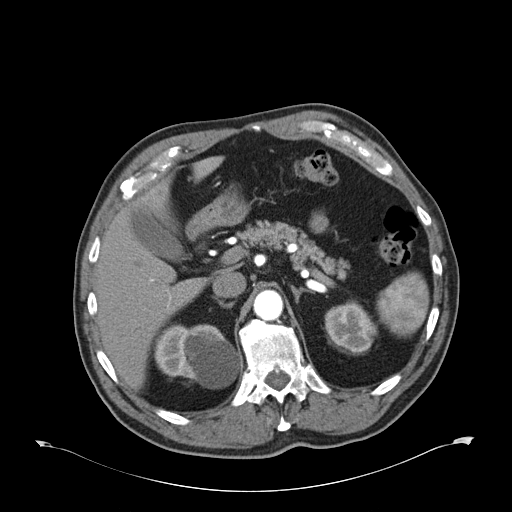
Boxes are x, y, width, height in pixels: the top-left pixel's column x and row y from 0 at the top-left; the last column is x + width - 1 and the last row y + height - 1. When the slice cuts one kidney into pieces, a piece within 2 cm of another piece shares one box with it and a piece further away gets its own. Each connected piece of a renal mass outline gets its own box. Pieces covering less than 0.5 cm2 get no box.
Slice 41/59 of a contrast-enhanced abdominal CT in the arterial phase, counting up from the lowest; pixel size 0.871 mm, slice thickness 5.00 mm. Boxed on this slice (two kidney boxes), listed by box centre from the image's left to its right: (1) Right kidney at x 153, y 324, width 88, height 65 (outlined area 4,249 px, about 32.2 cm2). (2) Box x 324, y 300, width 54, height 55: left kidney (outlined area 2,136 px, about 16.2 cm2). This slice carries no renal mass outline.
Tube voltage 120 kVp; convolution kernel B30f.